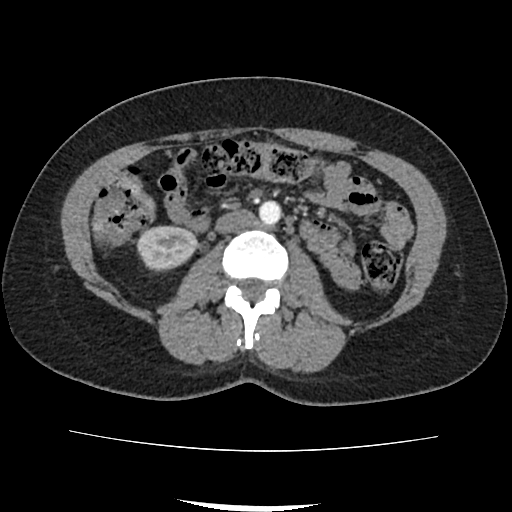
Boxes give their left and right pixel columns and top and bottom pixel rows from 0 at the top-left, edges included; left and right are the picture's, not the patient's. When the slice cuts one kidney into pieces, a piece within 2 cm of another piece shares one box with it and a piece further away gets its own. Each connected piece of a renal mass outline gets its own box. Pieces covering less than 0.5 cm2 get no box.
This is axial slice 38 of 103 (slice 1 is the lowest) of an abdominal CT with contrast; each pixel is 0.714 mm and the slice is 3.00 mm thick. Box with left 135, top 225, right 197, bottom 270: right kidney (outlined area 2,197 px, about 11.2 cm2). This slice carries no renal mass outline.
Scan settings: 120 kVp, FC18 reconstruction kernel.